Contrast-enhanced abdominal CT, axial slice 117 of 301 (counted from the lowest slice); tube voltage 120 kVp, convolution kernel I40f; slices 2.00 mm thick, 0.859 mm per pixel.
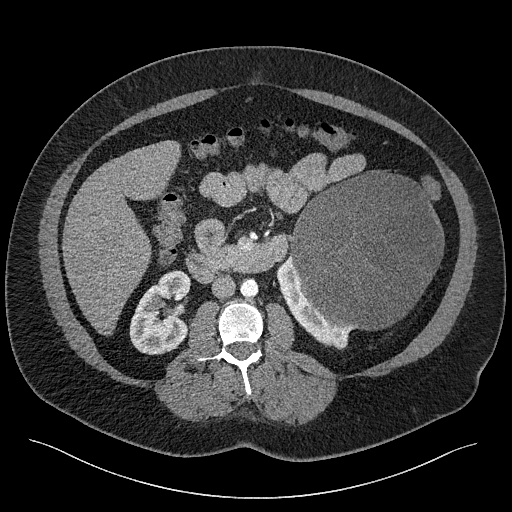
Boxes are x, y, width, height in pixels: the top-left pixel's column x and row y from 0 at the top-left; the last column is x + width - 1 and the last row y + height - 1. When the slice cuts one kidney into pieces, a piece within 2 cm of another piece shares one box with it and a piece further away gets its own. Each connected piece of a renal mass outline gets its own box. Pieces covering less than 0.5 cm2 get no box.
Two kidney boxes and one renal mass box on this slice; by box centre, from the image's left to its right: (1) Box x 129, y 270, width 63, height 85: right kidney (outlined area 3,766 px, about 27.8 cm2). (2) Left kidney at x 276, y 252, width 78, height 98 (outlined area 2,147 px, about 15.9 cm2). (3) Left renal mass at x 289, y 172, width 156, height 159 (outlined area 18,746 px, about 138.4 cm2).